Axial slice 54 of 76 of a contrast-enhanced abdominal CT (slice 1 is the lowest), 120 kVp, kernel STANDARD; 2.50 mm slice thickness and 0.586 mm pixels.
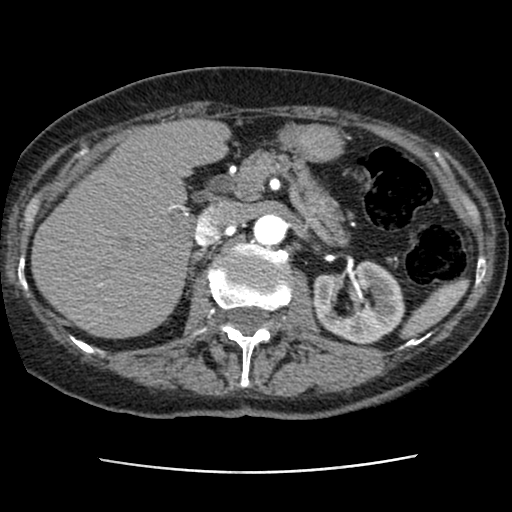
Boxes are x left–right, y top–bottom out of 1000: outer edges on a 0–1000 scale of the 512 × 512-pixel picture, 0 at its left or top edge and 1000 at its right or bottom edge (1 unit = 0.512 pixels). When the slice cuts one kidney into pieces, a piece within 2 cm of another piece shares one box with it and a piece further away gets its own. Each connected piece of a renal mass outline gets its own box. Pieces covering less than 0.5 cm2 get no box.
Left kidney, box x 609–793, y 506–674 out of 1000 (outlined area 5,536 px, about 19.0 cm2). No renal mass outline on this slice.